Contrast-enhanced abdominal CT, axial slice 52 of 90 (counted from the lowest slice); tube voltage 100 kVp, convolution kernel I40f; slices 5.00 mm thick, 0.684 mm per pixel.
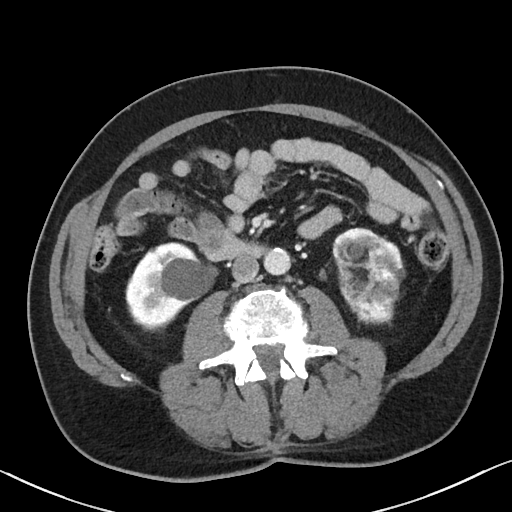
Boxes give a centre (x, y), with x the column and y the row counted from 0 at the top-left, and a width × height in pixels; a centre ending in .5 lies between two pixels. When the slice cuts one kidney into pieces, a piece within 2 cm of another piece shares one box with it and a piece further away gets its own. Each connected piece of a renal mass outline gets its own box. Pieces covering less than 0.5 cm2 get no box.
Two kidney boxes on this slice; by box centre, from the image's left to its right: (1) Box centre (171.5, 285), 94 × 87 pixels: right kidney (outlined area 5,322 px, about 24.9 cm2). (2) Left kidney in a box with centre (368.5, 275.5), 74 × 98 pixels (outlined area 5,201 px, about 24.3 cm2). No renal mass outline on this slice.